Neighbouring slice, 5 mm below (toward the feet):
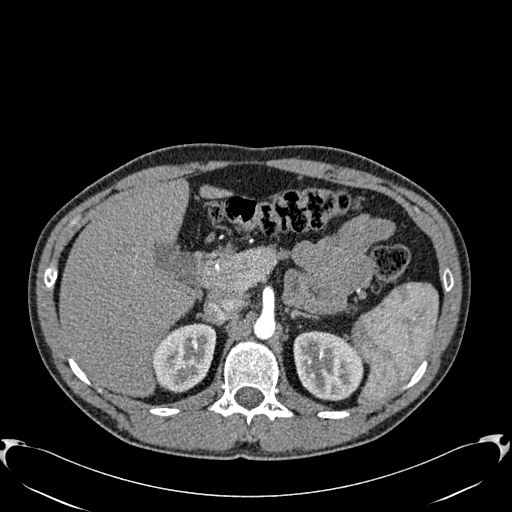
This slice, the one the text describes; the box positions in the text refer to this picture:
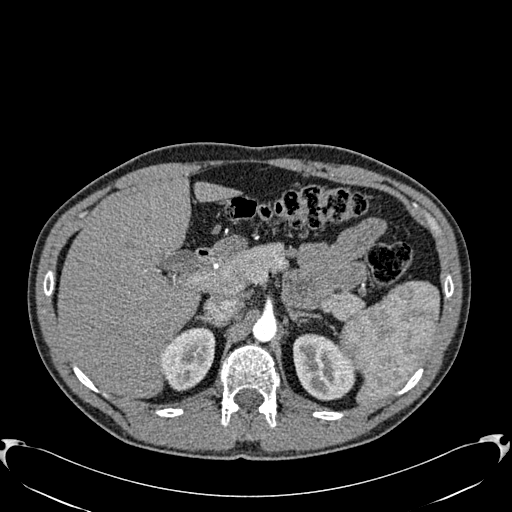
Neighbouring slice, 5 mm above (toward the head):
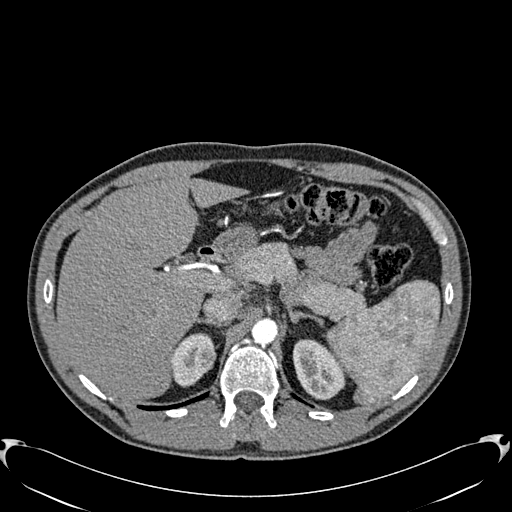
One axial slice (426 of 512, counting up from the lowest) of an arterial-phase abdominal CT acquired with 120 kVp, kernel B30f; each pixel is 0.771 mm and the slice is 1.00 mm thick.
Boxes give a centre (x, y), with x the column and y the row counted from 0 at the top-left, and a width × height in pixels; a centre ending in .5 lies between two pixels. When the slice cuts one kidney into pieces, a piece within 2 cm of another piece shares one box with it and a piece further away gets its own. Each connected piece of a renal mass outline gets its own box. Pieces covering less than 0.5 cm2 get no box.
Three boxes on this slice (two kidney boxes and one renal mass box), listed by box centre from the image's left to its right. (1) Right kidney in a box with centre (187.5, 358.5), 56 × 64 pixels (outlined area 2,482 px, about 14.8 cm2). (2) Right renal mass in a box with centre (208, 359), 13 × 15 pixels (outlined area 133 px, about 0.8 cm2). (3) Box centre (323.5, 366.5), 62 × 68 pixels: left kidney (outlined area 3,129 px, about 18.6 cm2). This slice is near the end of the right renal mass toward the feet, so the slices 5 mm below and 5 mm above it are shown as well; the boxes refer to this slice only.